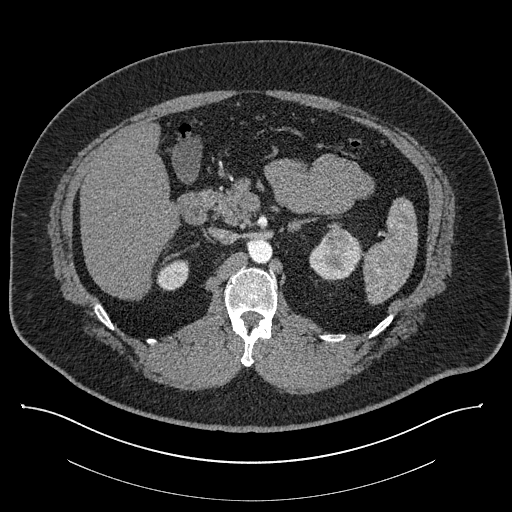
One axial slice (545 of 787, counting up from the lowest) of a contrast-enhanced abdominal CT acquired with 140 kVp, kernel I30f; each pixel is 0.910 mm and the slice is 1.00 mm thick.
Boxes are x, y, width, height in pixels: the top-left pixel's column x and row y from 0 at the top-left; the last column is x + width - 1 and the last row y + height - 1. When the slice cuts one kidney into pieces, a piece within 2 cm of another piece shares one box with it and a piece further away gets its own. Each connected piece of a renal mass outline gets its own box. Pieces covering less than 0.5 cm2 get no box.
Two kidney boxes and one renal mass box on this slice; by box centre, from the image's left to its right: (1) Right kidney at x 157, y 260, width 33, height 31 (outlined area 783 px, about 6.5 cm2). (2) Left kidney at x 309, y 234, width 53, height 46 (outlined area 1,487 px, about 12.3 cm2). (3) Left renal mass, box x 322, y 226, width 29, height 26 (outlined area 559 px, about 4.6 cm2).